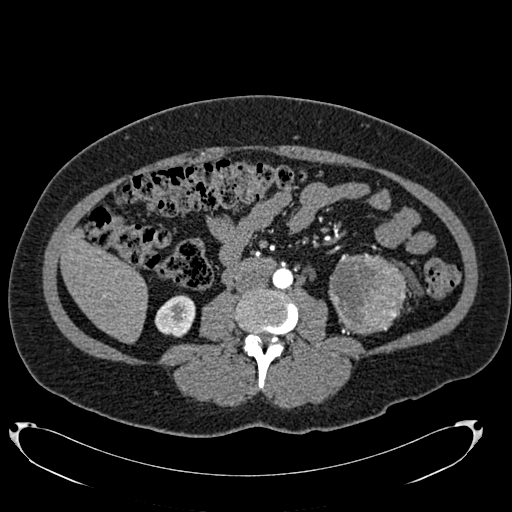
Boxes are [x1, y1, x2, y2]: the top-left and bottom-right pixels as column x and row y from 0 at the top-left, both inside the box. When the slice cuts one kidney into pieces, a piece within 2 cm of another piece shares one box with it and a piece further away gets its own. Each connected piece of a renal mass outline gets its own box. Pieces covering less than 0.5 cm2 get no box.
This is axial slice 338 of 634 (slice 1 is the lowest) of an arterial-phase abdominal CT with contrast; each pixel is 0.838 mm and the slice is 1.00 mm thick. One kidney box and one renal mass box on this slice; by box centre, from the image's left to its right: (1) Right kidney at [154, 295, 195, 337] (outlined area 1,326 px, about 9.3 cm2). (2) Left renal mass, box [328, 253, 406, 335] (outlined area 4,949 px, about 34.7 cm2); here it is more than 1 cm from any kidney outline, though on another slice the same outlined renal mass lies within 1 cm of the kidney.
Scan settings: 120 kVp, B20f reconstruction kernel.